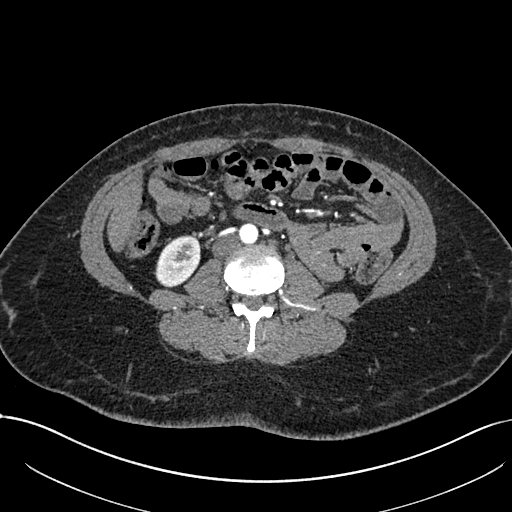
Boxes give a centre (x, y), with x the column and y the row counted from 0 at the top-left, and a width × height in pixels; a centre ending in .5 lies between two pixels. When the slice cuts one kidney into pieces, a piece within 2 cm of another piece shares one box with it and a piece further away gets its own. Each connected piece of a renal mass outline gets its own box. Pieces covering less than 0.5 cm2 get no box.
Slice 324/738 of a contrast-enhanced abdominal CT in the arterial phase, counting up from the lowest; pixel size 0.789 mm, slice thickness 1.00 mm. Right kidney, box centre (177, 261), 47 × 53 pixels (outlined area 1,764 px, about 11.0 cm2). This slice carries no renal mass outline.
Scan settings: 120 kVp, I30f reconstruction kernel.